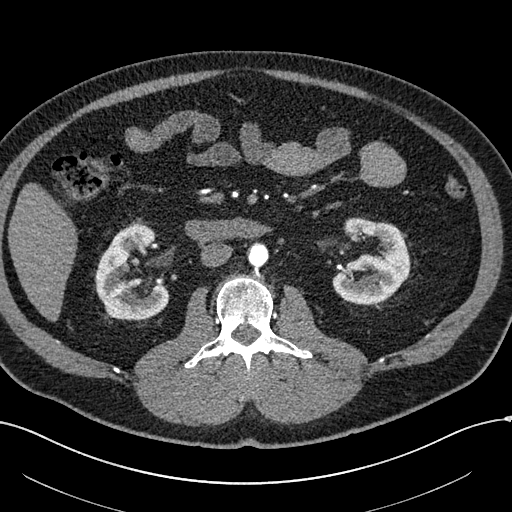
Arterial-phase contrast-enhanced abdominal CT, axial slice 298 of 602 (counted from the lowest slice); tube voltage 120 kVp, convolution kernel I30f; slices 1.00 mm thick, 0.799 mm per pixel.
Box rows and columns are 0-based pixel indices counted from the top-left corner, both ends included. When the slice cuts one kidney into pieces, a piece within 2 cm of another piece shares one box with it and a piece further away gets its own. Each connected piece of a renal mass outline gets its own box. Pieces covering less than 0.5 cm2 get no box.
Boxed on this slice (two kidney boxes), listed by box centre from the image's left to its right: (1) Right kidney at rows 222–320, columns 95–169 (outlined area 4,923 px, about 31.4 cm2). (2) Left kidney, box rows 217–304, columns 332–409 (outlined area 4,682 px, about 29.9 cm2). This slice carries no renal mass outline.